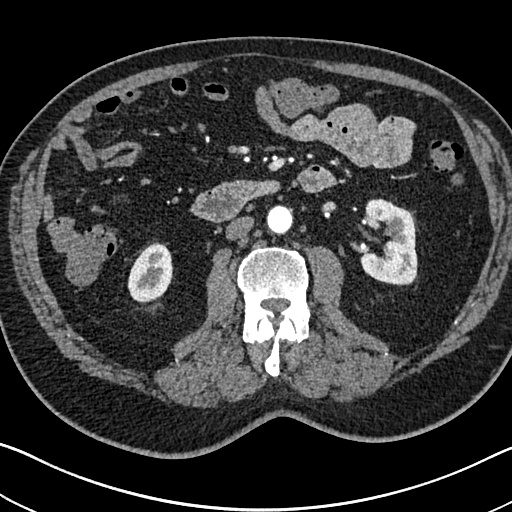
Axial slice 378 of 705 of a contrast-enhanced abdominal CT in the arterial phase (slice 1 is the lowest), 120 kVp, kernel I30f; 1.00 mm slice thickness and 0.703 mm pixels.
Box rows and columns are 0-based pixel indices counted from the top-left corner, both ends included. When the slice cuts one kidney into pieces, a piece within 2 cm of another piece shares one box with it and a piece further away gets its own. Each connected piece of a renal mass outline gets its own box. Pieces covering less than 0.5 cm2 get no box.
Two boxes on this slice (two kidney boxes), listed by box centre from the image's left to its right. (1) Right kidney, box rows 242–303, columns 127–172 (outlined area 2,082 px, about 10.3 cm2). (2) Box rows 198–285, columns 359–417: left kidney (outlined area 3,864 px, about 19.1 cm2). This slice carries no renal mass outline.